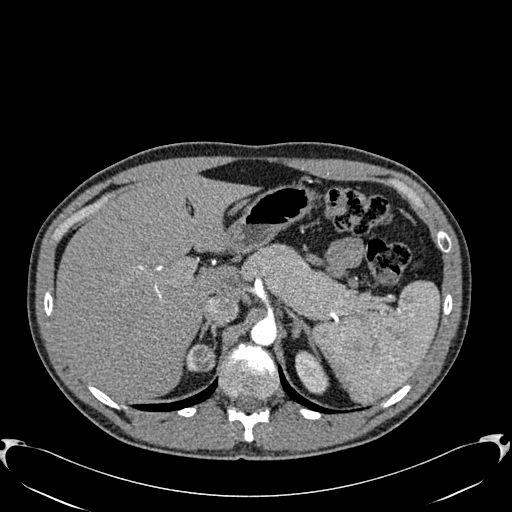
Abdominal CT with intravenous contrast, arterial phase, axial plane, 120 kVp, kernel B30f. Slice 452/512 from the bottom of the scan; thickness 1.00 mm; pixel size 0.771 mm.
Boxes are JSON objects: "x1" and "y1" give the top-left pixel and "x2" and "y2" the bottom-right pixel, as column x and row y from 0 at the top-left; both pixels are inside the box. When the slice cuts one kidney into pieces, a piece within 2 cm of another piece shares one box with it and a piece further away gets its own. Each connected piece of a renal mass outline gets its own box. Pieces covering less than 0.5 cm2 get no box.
Three boxes on this slice (two kidney boxes and one renal mass box), listed by box centre from the image's left to its right. (1) Right kidney, box {"x1": 186, "y1": 343, "x2": 200, "y2": 371} (outlined area 176 px, about 1.0 cm2). (2) Right renal mass at {"x1": 192, "y1": 344, "x2": 215, "y2": 371} (outlined area 532 px, about 3.2 cm2). (3) Left kidney at {"x1": 295, "y1": 350, "x2": 329, "y2": 394} (outlined area 1,031 px, about 6.1 cm2).